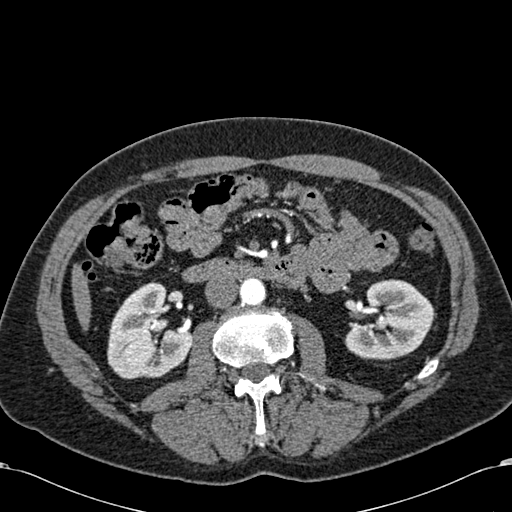
Arterial-phase contrast-enhanced abdominal CT, axial slice 323 of 581 (counted from the lowest slice); tube voltage 120 kVp, convolution kernel B30f; slices 1.00 mm thick, 0.713 mm per pixel.
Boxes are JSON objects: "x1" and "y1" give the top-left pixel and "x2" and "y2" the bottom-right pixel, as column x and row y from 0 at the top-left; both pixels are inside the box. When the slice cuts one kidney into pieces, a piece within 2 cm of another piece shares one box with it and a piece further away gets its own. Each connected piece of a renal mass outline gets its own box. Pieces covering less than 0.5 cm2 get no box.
Boxed on this slice (two kidney boxes), listed by box centre from the image's left to its right: (1) Right kidney at {"x1": 107, "y1": 282, "x2": 192, "y2": 379} (outlined area 5,841 px, about 29.7 cm2). (2) Box {"x1": 344, "y1": 279, "x2": 433, "y2": 360}: left kidney (outlined area 5,163 px, about 26.2 cm2). No renal mass is outlined on this slice.